One axial slice (417 of 734, counting up from the lowest) of a contrast-enhanced abdominal CT acquired with 120 kVp, kernel B31f; each pixel is 0.971 mm and the slice is 2.00 mm thick.
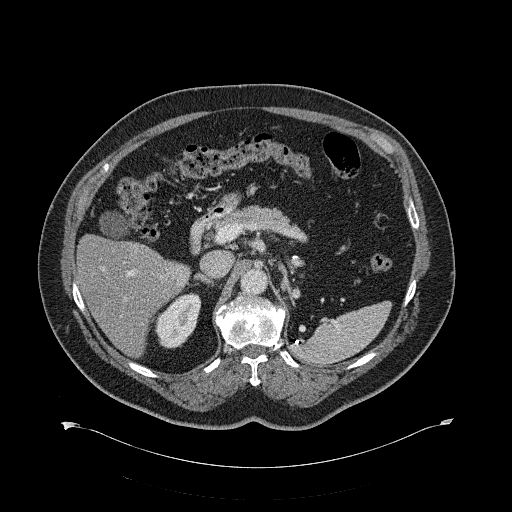
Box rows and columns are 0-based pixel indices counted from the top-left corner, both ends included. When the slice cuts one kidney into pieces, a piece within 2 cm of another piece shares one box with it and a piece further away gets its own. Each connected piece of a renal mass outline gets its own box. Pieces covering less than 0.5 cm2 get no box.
Box rows 292–348, columns 154–201: right kidney (outlined area 1,784 px, about 16.8 cm2). No renal mass is outlined on this slice.